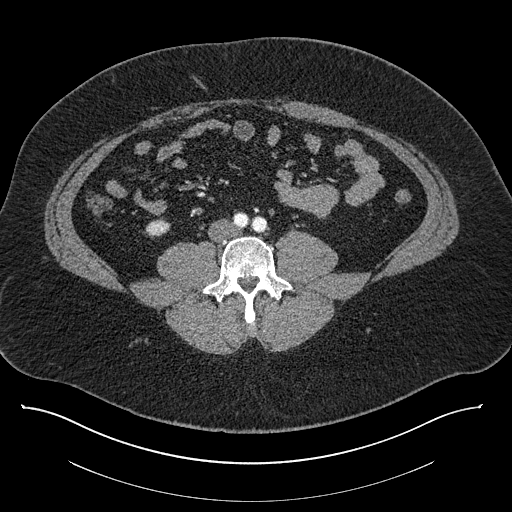
Abdominal CT with intravenous contrast, axial plane, 140 kVp, kernel I30f. Slice 319/787 from the bottom of the scan; thickness 1.00 mm; pixel size 0.910 mm.
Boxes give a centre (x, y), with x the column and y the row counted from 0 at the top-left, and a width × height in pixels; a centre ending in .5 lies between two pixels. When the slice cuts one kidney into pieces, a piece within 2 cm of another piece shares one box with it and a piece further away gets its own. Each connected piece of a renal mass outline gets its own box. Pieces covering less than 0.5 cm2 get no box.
Box centre (157, 227.5), 27 × 22 pixels: right kidney (outlined area 367 px, about 3.0 cm2). This slice carries no renal mass outline.